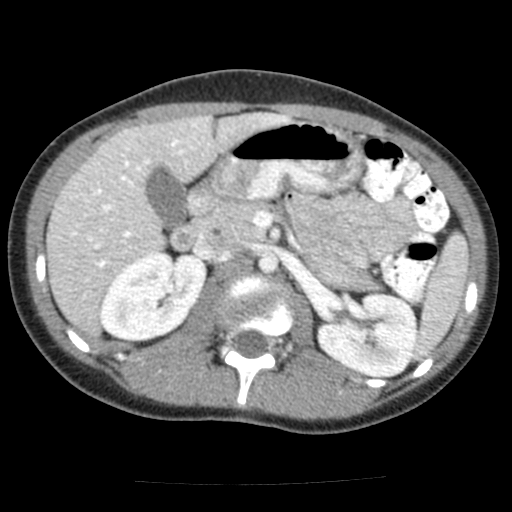
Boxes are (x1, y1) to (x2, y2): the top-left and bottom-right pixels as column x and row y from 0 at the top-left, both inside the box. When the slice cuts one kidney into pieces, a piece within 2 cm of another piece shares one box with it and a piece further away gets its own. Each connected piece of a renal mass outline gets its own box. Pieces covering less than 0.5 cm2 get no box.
Arterial-phase contrast-enhanced abdominal CT, axial slice 85 of 117 (counted from the lowest slice); 3.00 mm thick, 0.518 mm per pixel. Boxed on this slice (two kidney boxes), listed by box centre from the image's left to its right: (1) Right kidney from (99, 251) to (207, 340) (outlined area 7,093 px, about 19.0 cm2). (2) Left kidney, box (316, 292) to (417, 377) (outlined area 6,469 px, about 17.4 cm2). No renal mass is outlined on this slice.
Scan settings: 120 kVp, FC12 reconstruction kernel.